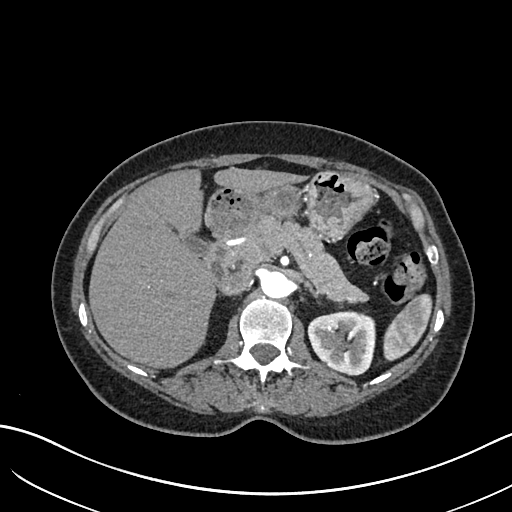
Arterial-phase contrast-enhanced abdominal CT, axial slice 432 of 683 (counted from the lowest slice); tube voltage 120 kVp, convolution kernel I30f; slices 1.00 mm thick, 0.738 mm per pixel.
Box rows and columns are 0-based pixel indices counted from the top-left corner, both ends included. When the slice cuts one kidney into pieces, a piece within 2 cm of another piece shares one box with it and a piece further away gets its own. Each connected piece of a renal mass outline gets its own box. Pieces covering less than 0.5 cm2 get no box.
Left kidney at rows 310–375, columns 307–375 (outlined area 3,521 px, about 19.2 cm2). No renal mass is outlined on this slice.